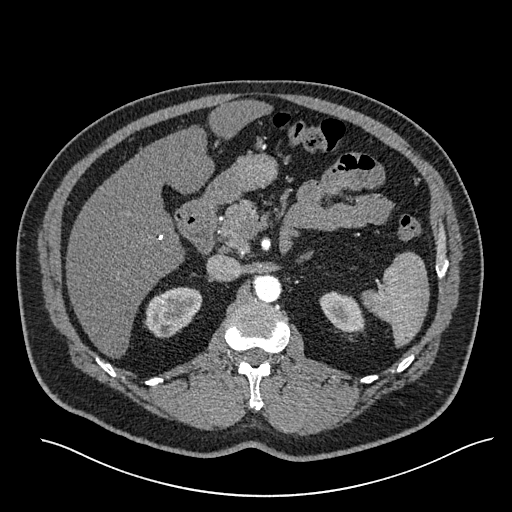
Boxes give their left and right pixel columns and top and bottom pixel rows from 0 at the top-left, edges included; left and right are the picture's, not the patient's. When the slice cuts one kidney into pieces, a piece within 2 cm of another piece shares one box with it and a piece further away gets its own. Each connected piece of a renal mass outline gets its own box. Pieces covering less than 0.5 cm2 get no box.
Slice 385/527 of a contrast-enhanced abdominal CT in the arterial phase, counting up from the lowest; pixel size 0.859 mm, slice thickness 1.00 mm. Two boxes on this slice (two kidney boxes), listed by box centre from the image's left to its right. (1) Right kidney in the box with left 144, top 287, right 202, bottom 337 (outlined area 2,135 px, about 15.8 cm2). (2) Box with left 319, top 291, right 364, bottom 332: left kidney (outlined area 1,336 px, about 9.9 cm2). No renal mass is outlined on this slice.
Tube voltage 120 kVp; convolution kernel I30f.